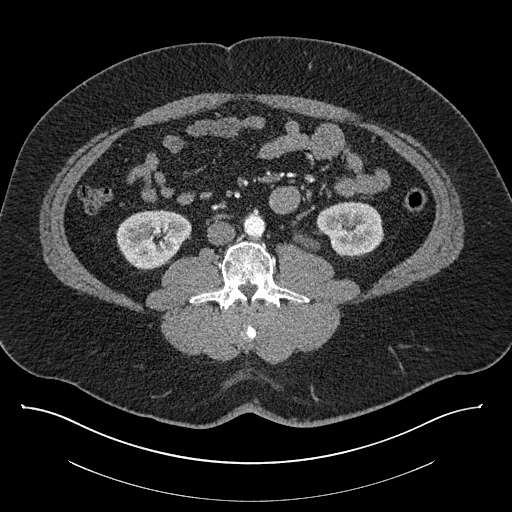
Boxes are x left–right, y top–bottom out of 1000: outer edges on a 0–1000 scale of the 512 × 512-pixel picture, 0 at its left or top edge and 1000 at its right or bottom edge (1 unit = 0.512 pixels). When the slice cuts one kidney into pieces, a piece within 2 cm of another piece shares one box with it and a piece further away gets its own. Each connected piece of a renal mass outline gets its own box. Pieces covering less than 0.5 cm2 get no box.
This is axial slice 397 of 787 (slice 1 is the lowest) of an abdominal CT with contrast; each pixel is 0.910 mm and the slice is 1.00 mm thick. Two kidney boxes on this slice; by box centre, from the image's left to its right: (1) Box x 227–375, y 408–529 out of 1000: right kidney (outlined area 3,392 px, about 28.1 cm2). (2) Left kidney, box x 572–750, y 393–502 out of 1000 (outlined area 3,101 px, about 25.7 cm2). No renal mass is outlined on this slice.
Scan settings: 140 kVp, I30f reconstruction kernel.